Contrast-enhanced abdominal CT, axial slice 20 of 50 (counted from the lowest slice); tube voltage 100 kVp, convolution kernel I40f; slices 5.00 mm thick, 0.723 mm per pixel.
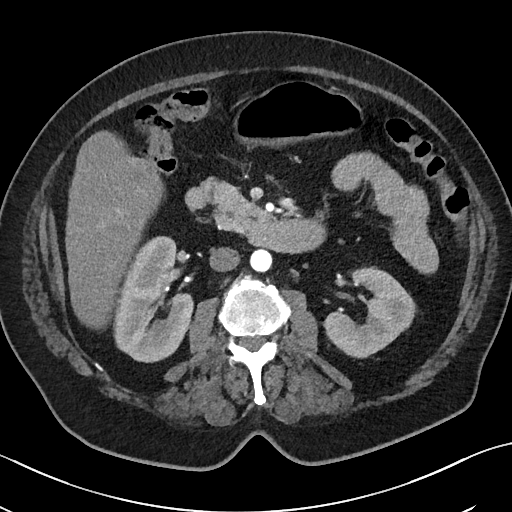
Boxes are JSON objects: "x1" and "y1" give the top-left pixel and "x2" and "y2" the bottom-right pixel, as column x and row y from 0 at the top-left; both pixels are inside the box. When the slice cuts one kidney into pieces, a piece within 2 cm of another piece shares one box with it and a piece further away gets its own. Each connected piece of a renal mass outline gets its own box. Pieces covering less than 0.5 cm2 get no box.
Two kidney boxes on this slice; by box centre, from the image's left to its right: (1) Right kidney, box {"x1": 113, "y1": 236, "x2": 193, "y2": 362} (outlined area 7,102 px, about 37.1 cm2). (2) Left kidney, box {"x1": 323, "y1": 268, "x2": 415, "y2": 358} (outlined area 4,979 px, about 26.0 cm2). This slice carries no renal mass outline.